Axial slice 108 of 195 of a contrast-enhanced abdominal CT in the arterial phase (slice 1 is the lowest), 100 kVp, kernel I31f; 1.50 mm slice thickness and 0.707 mm pixels.
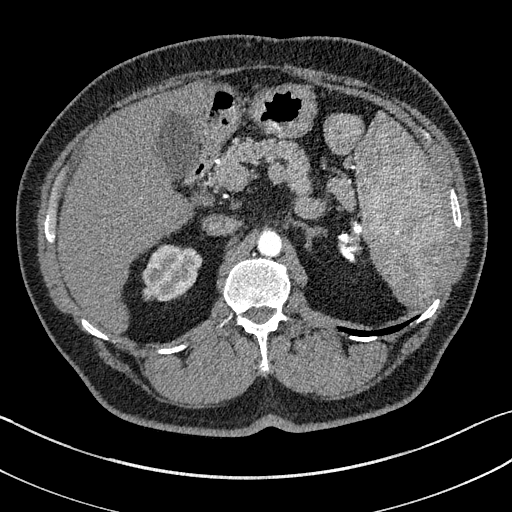
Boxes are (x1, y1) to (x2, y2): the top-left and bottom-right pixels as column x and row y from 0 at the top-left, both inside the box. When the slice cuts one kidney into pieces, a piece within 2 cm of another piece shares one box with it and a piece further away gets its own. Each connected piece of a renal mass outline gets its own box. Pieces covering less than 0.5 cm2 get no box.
Box (142, 244) to (202, 301): right kidney (outlined area 2,532 px, about 12.7 cm2). No renal mass is outlined on this slice.